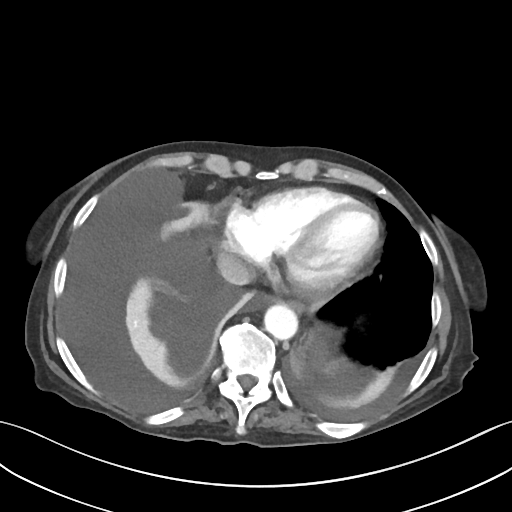
Slice 93/109 of a contrast-enhanced abdominal CT, counting up from the lowest; pixel size 0.742 mm, slice thickness 3.00 mm. Outside the outlined region: no kidney outline and no renal mass outline on this slice. The scan's outlines cover only kidneys and renal masses; no other organ is outlined.
Acquired at 120 kVp and reconstructed with the I30f kernel.